Arterial-phase contrast-enhanced abdominal CT, axial slice 766 of 987 (counted from the lowest slice); tube voltage 120 kVp, convolution kernel I26f; slices 1.00 mm thick, 0.977 mm per pixel.
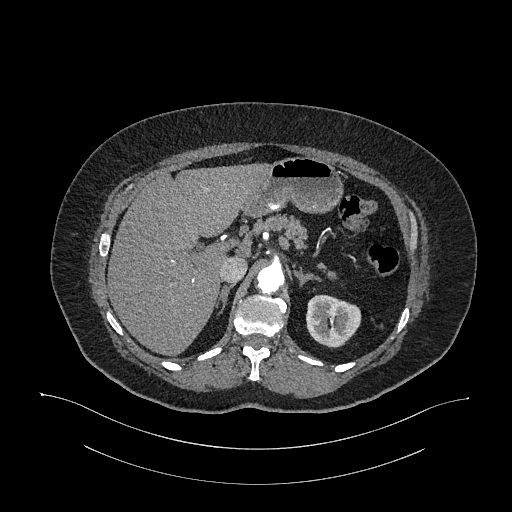
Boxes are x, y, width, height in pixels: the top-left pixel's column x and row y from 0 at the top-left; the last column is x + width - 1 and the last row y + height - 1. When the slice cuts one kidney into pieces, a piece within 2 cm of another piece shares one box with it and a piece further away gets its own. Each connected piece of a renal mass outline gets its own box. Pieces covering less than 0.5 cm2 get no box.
Left kidney at x 306, y 294, width 56, height 54 (outlined area 2,279 px, about 21.7 cm2). No renal mass is outlined on this slice.